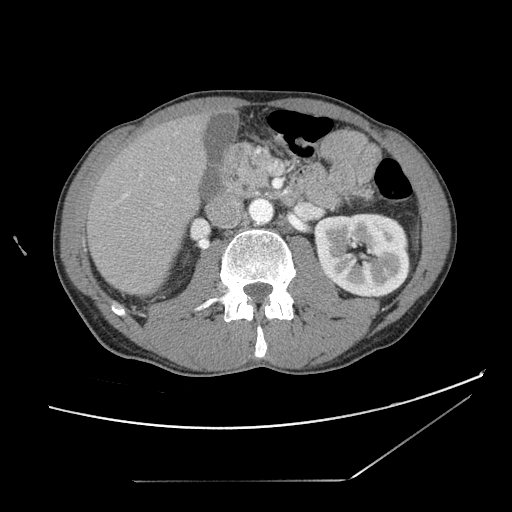
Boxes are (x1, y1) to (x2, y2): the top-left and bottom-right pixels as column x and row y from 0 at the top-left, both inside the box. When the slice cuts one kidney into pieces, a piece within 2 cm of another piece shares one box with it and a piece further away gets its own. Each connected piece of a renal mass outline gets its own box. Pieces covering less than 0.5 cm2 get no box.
Slice 63/121 of a contrast-enhanced abdominal CT, counting up from the lowest; pixel size 0.742 mm, slice thickness 2.50 mm. Left kidney, box (313, 213) to (410, 297) (outlined area 6,737 px, about 37.1 cm2). No renal mass is outlined on this slice.
Tube voltage 120 kVp; convolution kernel STANDARD.